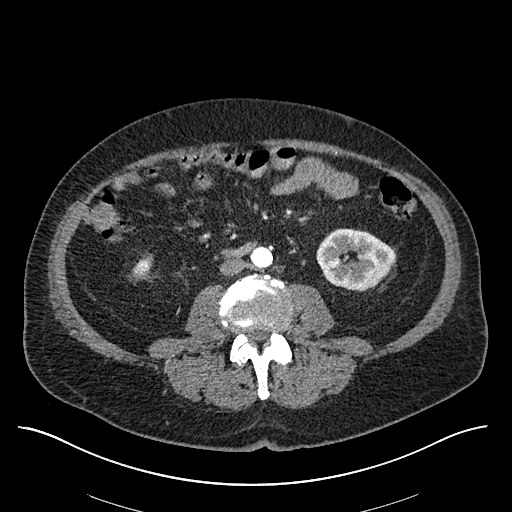
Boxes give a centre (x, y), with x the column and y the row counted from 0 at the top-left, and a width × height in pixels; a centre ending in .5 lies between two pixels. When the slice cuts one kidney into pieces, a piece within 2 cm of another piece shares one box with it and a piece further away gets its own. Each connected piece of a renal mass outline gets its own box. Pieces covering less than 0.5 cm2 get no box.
Arterial-phase contrast-enhanced abdominal CT, axial slice 246 of 670 (counted from the lowest slice); 1.00 mm thick, 0.861 mm per pixel. Boxed on this slice (two kidney boxes), listed by box centre from the image's left to its right: (1) Right kidney, box centre (141.5, 268), 20 × 21 pixels (outlined area 312 px, about 2.3 cm2). (2) Left kidney in a box with centre (355.5, 259), 80 × 63 pixels (outlined area 3,670 px, about 27.2 cm2). This slice carries no renal mass outline.
Scan settings: 120 kVp, I30f reconstruction kernel.